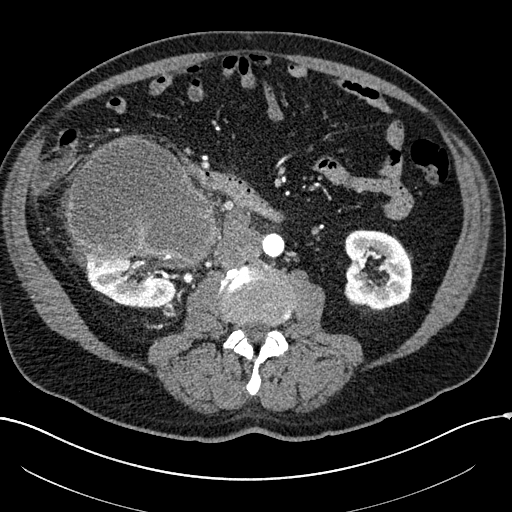
Abdominal CT with intravenous contrast, arterial phase, axial plane, 100 kVp, kernel I30f. Slice 79/304 from the bottom of the scan; thickness 2.00 mm; pixel size 0.809 mm.
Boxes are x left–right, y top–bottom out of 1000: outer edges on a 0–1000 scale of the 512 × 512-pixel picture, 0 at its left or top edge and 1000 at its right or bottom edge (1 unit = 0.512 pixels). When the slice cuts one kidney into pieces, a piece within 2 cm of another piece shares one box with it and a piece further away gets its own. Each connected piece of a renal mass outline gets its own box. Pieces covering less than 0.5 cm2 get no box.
Two kidney boxes and one renal mass box on this slice; by box centre, from the image's left to its right: (1) Right kidney at x 162–352, y 496–602 out of 1000 (outlined area 3,729 px, about 24.4 cm2). (2) Right renal mass, box x 129–430, y 268–523 out of 1000 (outlined area 14,942 px, about 97.7 cm2). (3) Left kidney, box x 670–807, y 447–605 out of 1000 (outlined area 4,362 px, about 28.5 cm2).